One axial slice (749 of 987, counting up from the lowest) of an arterial-phase abdominal CT acquired with 120 kVp, kernel I26f; each pixel is 0.977 mm and the slice is 1.00 mm thick.
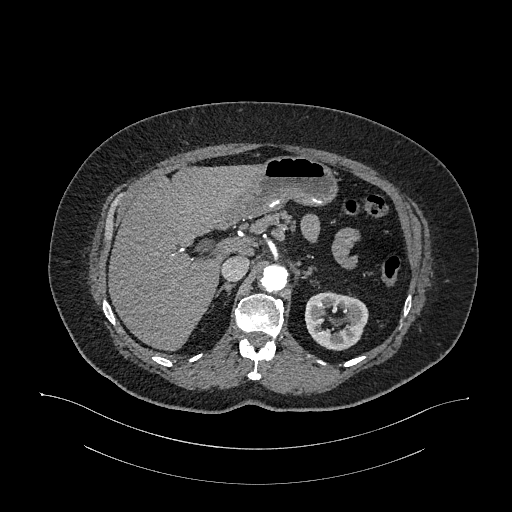
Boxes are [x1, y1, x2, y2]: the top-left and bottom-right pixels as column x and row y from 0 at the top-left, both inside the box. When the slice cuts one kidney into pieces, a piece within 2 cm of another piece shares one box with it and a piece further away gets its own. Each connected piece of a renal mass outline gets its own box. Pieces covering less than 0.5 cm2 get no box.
Left kidney, box [304, 291, 368, 350] (outlined area 2,769 px, about 26.4 cm2). No renal mass is outlined on this slice.